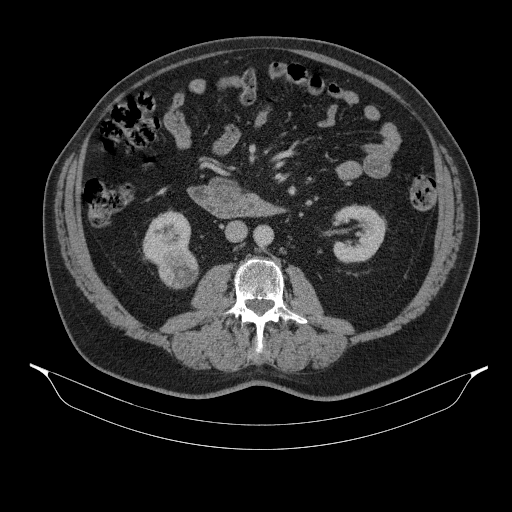
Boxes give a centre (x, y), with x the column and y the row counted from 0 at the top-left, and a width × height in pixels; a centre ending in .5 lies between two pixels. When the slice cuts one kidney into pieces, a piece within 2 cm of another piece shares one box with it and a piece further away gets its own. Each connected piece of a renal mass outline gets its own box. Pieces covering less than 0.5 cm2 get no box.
Contrast-enhanced abdominal CT, axial slice 182 of 314 (counted from the lowest slice); 2.50 mm thick, 0.934 mm per pixel. Boxed on this slice (two kidney boxes and one renal mass box), listed by box centre from the image's left to its right: (1) Box centre (166, 236.5), 49 × 56 pixels: right kidney (outlined area 1,714 px, about 14.9 cm2). (2) Right renal mass in a box with centre (177.5, 268), 42 × 43 pixels (outlined area 1,408 px, about 12.3 cm2). (3) Box centre (359, 234), 53 × 59 pixels: left kidney (outlined area 2,280 px, about 19.9 cm2).
Scan settings: 130 kVp, B31s reconstruction kernel.